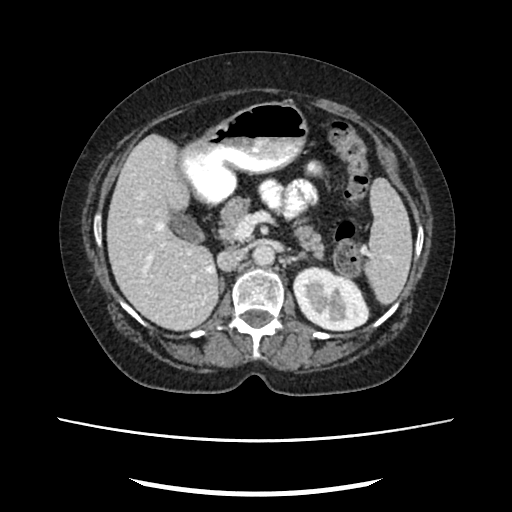
Arterial-phase contrast-enhanced abdominal CT, axial slice 149 of 207 (counted from the lowest slice); tube voltage 120 kVp, convolution kernel FC18; slices 2.00 mm thick, 0.741 mm per pixel.
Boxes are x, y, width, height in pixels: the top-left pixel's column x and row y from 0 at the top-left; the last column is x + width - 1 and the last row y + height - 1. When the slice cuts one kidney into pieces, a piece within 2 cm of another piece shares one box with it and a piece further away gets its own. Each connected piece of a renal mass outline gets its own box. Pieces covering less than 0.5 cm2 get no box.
Box x 292, y 266, width 78, height 66: left kidney (outlined area 3,741 px, about 20.5 cm2). This slice carries no renal mass outline.